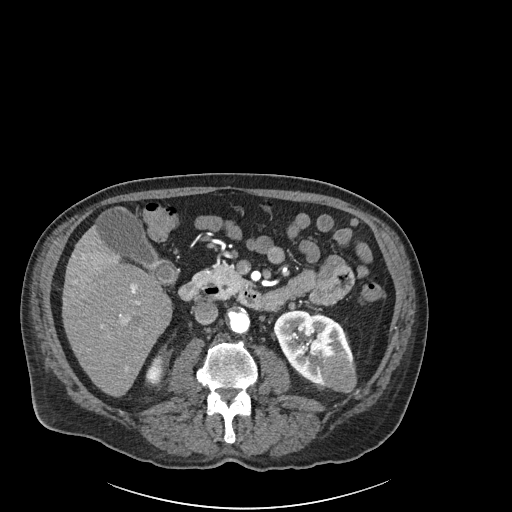
One axial slice (97 of 261, counting up from the lowest) of an arterial-phase abdominal CT acquired with 120 kVp, kernel I30f; each pixel is 0.939 mm and the slice is 2.00 mm thick.
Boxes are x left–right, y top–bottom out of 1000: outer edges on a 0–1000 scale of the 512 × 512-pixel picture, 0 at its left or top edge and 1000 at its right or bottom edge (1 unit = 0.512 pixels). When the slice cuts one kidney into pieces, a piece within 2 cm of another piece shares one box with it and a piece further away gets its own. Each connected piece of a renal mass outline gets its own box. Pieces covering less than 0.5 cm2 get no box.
Two kidney boxes and one renal mass box on this slice; by box centre, from the image's left to its right: (1) Right kidney, box x 283–320, y 695–752 out of 1000 (outlined area 386 px, about 3.4 cm2). (2) Left kidney at x 533–691, y 605–758 out of 1000 (outlined area 3,575 px, about 31.6 cm2). (3) Left renal mass, box x 623–697, y 689–768 out of 1000 (outlined area 1,151 px, about 10.2 cm2).